Abdominal CT with intravenous contrast, arterial phase, axial plane, 120 kVp, kernel I26f. Slice 121/470 from the bottom of the scan; thickness 1.00 mm; pixel size 0.938 mm.
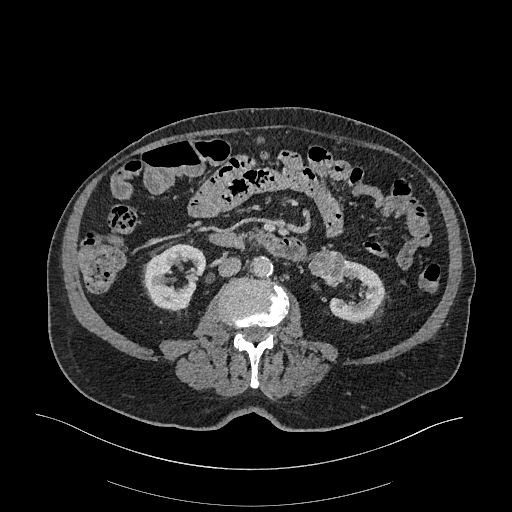
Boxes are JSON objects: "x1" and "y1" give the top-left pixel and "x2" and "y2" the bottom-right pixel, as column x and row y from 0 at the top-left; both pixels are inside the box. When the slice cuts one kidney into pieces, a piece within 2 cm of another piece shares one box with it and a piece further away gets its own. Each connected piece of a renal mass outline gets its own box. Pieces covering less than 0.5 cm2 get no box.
Two kidney boxes and one renal mass box on this slice; by box centre, from the image's left to its right: (1) Right kidney, box {"x1": 142, "y1": 244, "x2": 205, "y2": 311} (outlined area 2,966 px, about 26.1 cm2). (2) Left renal mass at {"x1": 308, "y1": 249, "x2": 344, "y2": 286} (outlined area 991 px, about 8.7 cm2). (3) Box {"x1": 328, "y1": 256, "x2": 384, "y2": 323}: left kidney (outlined area 2,114 px, about 18.6 cm2).